One axial slice (797 of 987, counting up from the lowest) of an arterial-phase abdominal CT acquired with 120 kVp, kernel I26f; each pixel is 0.977 mm and the slice is 1.00 mm thick.
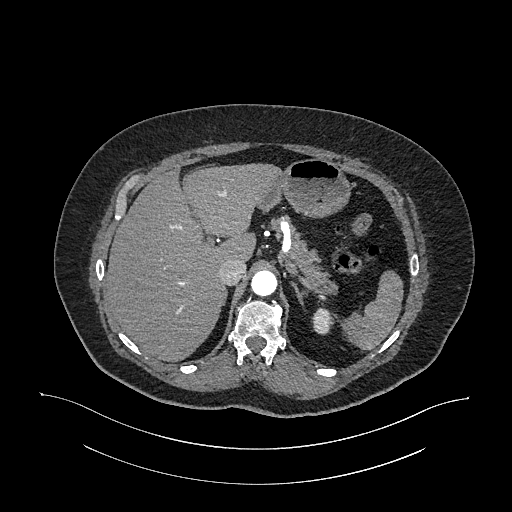
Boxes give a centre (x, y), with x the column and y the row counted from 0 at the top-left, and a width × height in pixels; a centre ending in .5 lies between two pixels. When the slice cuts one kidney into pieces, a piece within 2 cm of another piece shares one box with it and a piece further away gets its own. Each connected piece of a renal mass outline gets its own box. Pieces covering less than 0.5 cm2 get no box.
Left kidney in a box with centre (323, 321), 23 × 27 pixels (outlined area 462 px, about 4.4 cm2). This slice carries no renal mass outline.